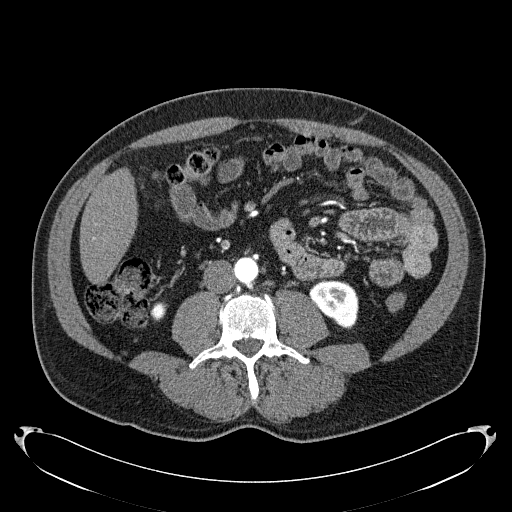
Axial slice 71 of 279 of a contrast-enhanced abdominal CT in the arterial phase (slice 1 is the lowest), 120 kVp, kernel B31f; 2.00 mm slice thickness and 0.824 mm pixels.
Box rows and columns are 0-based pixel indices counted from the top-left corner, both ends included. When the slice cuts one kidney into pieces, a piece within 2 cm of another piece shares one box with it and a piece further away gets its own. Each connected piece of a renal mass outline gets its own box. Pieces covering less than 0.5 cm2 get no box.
Two boxes on this slice (two kidney boxes), listed by box centre from the image's left to its right. (1) Right kidney at rows 302–321, columns 150–167 (outlined area 250 px, about 1.7 cm2). (2) Left kidney, box rows 280–329, columns 309–358 (outlined area 1,736 px, about 11.8 cm2). No renal mass outline on this slice.